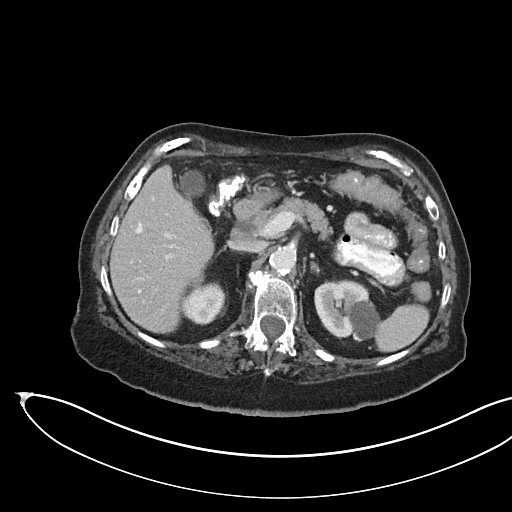
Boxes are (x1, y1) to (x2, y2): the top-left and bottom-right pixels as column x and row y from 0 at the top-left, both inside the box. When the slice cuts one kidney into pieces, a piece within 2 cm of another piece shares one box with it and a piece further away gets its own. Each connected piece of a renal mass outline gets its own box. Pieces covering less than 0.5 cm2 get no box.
Slice 108/145 of a contrast-enhanced abdominal CT in the arterial phase, counting up from the lowest; pixel size 0.834 mm, slice thickness 3.00 mm. Two boxes on this slice (two kidney boxes), listed by box centre from the image's left to its right. (1) Kidney from (182, 283) to (224, 324) (outlined area 1,320 px, about 9.2 cm2). (2) Box (314, 279) to (380, 341): kidney (outlined area 3,085 px, about 21.5 cm2). This slice carries no renal mass outline.
Scan settings: 100 kVp, I40f reconstruction kernel.